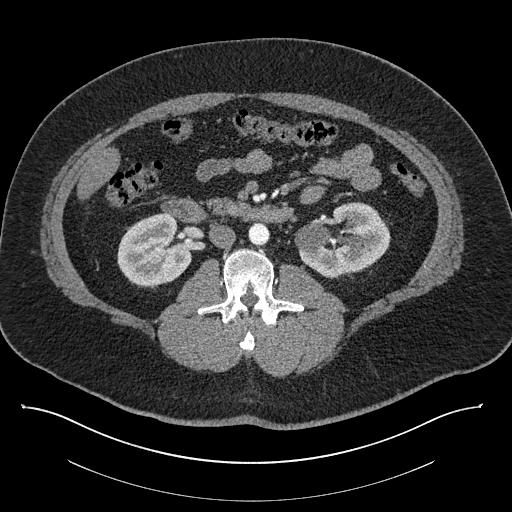
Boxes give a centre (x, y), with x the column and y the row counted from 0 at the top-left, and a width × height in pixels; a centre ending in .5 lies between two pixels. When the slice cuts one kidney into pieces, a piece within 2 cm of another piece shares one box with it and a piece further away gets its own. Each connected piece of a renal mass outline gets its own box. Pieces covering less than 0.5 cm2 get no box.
Slice 465/787 of a contrast-enhanced abdominal CT, counting up from the lowest; pixel size 0.910 mm, slice thickness 1.00 mm. Two boxes on this slice (two kidney boxes), listed by box centre from the image's left to its right. (1) Right kidney, box centre (154.5, 250), 76 × 77 pixels (outlined area 4,196 px, about 34.8 cm2). (2) Box centre (342, 240), 97 × 77 pixels: left kidney (outlined area 5,160 px, about 42.7 cm2). No renal mass is outlined on this slice.
Acquired at 140 kVp and reconstructed with the I30f kernel.